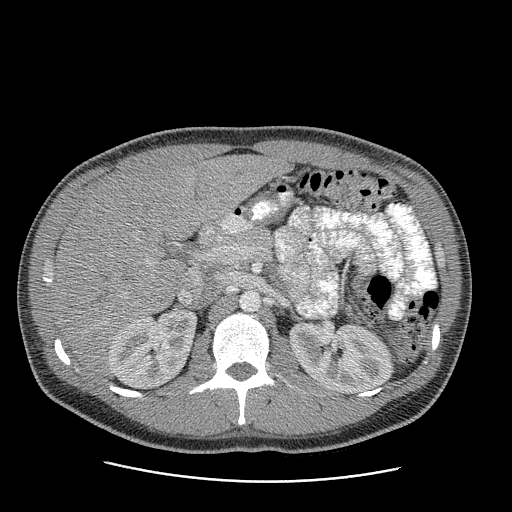
Arterial-phase contrast-enhanced abdominal CT, axial slice 158 of 199 (counted from the lowest slice); tube voltage 120 kVp, convolution kernel STANDARD; slices 2.50 mm thick, 0.789 mm per pixel.
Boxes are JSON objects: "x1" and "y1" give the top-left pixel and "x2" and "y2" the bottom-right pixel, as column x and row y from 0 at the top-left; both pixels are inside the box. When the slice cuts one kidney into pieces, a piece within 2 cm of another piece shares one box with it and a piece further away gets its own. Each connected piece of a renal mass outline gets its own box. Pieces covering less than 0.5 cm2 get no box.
Two kidney boxes on this slice; by box centre, from the image's left to its right: (1) Box {"x1": 107, "y1": 309, "x2": 196, "y2": 390}: right kidney (outlined area 5,445 px, about 33.9 cm2). (2) Left kidney, box {"x1": 289, "y1": 321, "x2": 393, "y2": 394} (outlined area 5,860 px, about 36.5 cm2). No renal mass outline on this slice.